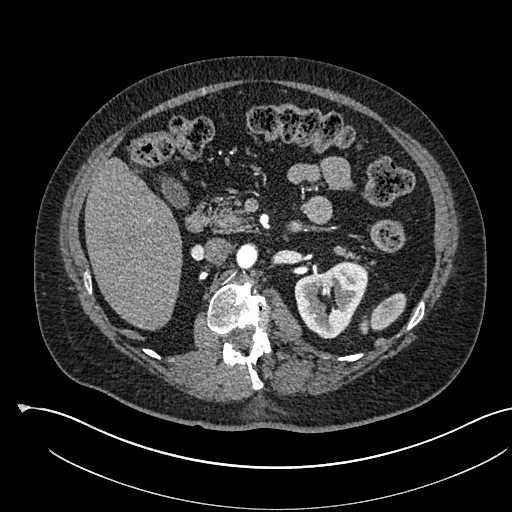
Axial slice 350 of 541 of a contrast-enhanced abdominal CT in the arterial phase (slice 1 is the lowest), 120 kVp, kernel I30f; 1.00 mm slice thickness and 0.834 mm pixels.
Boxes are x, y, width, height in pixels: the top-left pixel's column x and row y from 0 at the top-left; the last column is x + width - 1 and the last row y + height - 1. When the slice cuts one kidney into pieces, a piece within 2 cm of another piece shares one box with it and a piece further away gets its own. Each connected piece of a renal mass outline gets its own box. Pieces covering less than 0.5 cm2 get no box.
Left kidney, box x 294, y 261, width 75, height 78 (outlined area 3,894 px, about 27.1 cm2). No renal mass is outlined on this slice.